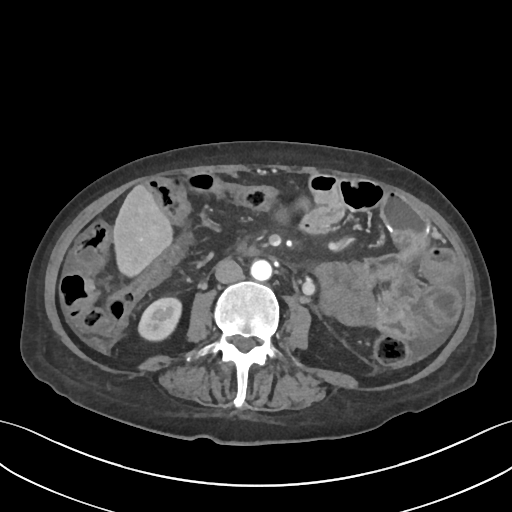
Axial slice 22 of 109 of a contrast-enhanced abdominal CT (slice 1 is the lowest), 120 kVp, kernel I30f; 3.00 mm slice thickness and 0.742 mm pixels.
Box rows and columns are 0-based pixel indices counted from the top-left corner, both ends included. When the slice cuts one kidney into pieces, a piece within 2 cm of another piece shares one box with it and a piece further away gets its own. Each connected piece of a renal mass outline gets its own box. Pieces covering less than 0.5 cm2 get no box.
Right kidney, box rows 295–342, columns 137–182 (outlined area 1,558 px, about 8.6 cm2). This slice carries no renal mass outline.